Abdominal CT with intravenous contrast, axial plane, 120 kVp, kernel I40f. Slice 159/301 from the bottom of the scan; thickness 2.00 mm; pixel size 0.859 mm.
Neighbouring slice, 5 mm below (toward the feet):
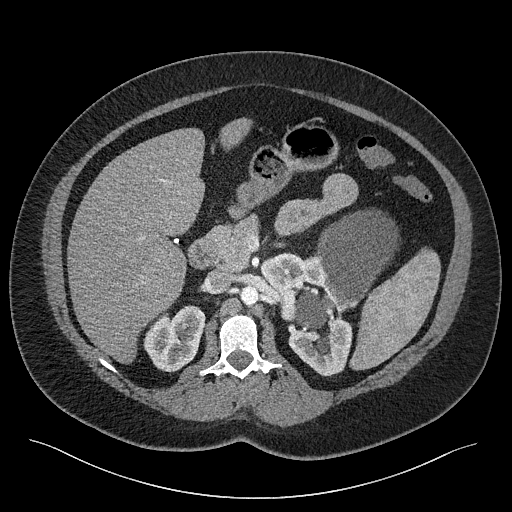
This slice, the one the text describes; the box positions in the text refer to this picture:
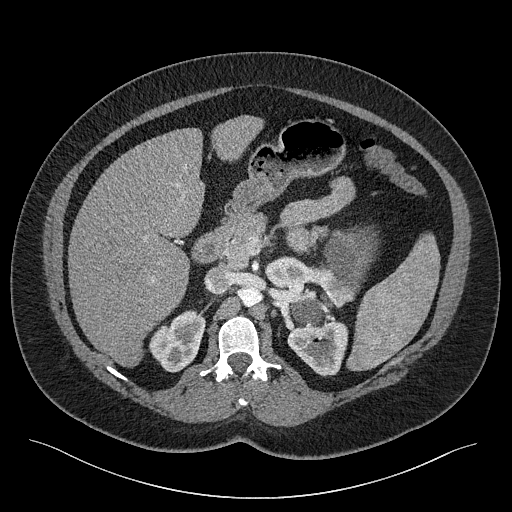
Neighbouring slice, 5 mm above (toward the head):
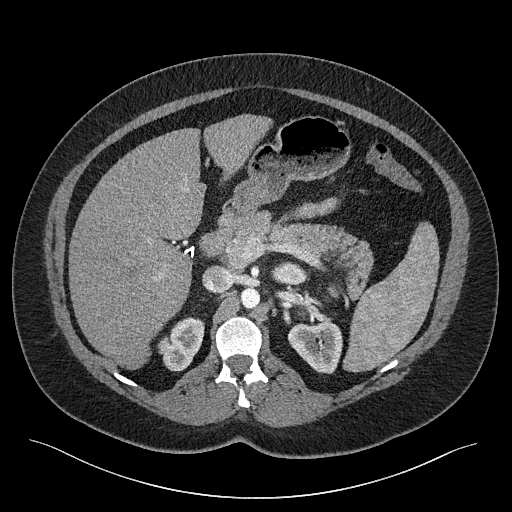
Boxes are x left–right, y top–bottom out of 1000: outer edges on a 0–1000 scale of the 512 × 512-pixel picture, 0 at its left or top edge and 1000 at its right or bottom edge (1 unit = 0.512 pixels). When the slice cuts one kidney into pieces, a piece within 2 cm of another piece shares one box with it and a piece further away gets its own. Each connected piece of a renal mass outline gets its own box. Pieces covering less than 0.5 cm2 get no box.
Boxed on this slice (two kidney boxes and one renal mass box), listed by box centre from the image's left to its right: (1) Right kidney at x 291–402, y 605–729 out of 1000 (outlined area 2,410 px, about 17.8 cm2). (2) Box x 516–682, y 500–736 out of 1000: left kidney (outlined area 3,960 px, about 29.2 cm2). (3) Left renal mass at x 559–740, y 441–637 out of 1000 (outlined area 4,286 px, about 31.7 cm2). This slice lies near the end of the left renal mass toward the head; the slices 5 mm below and 5 mm above it are shown too, and the boxes mark positions on this slice only.